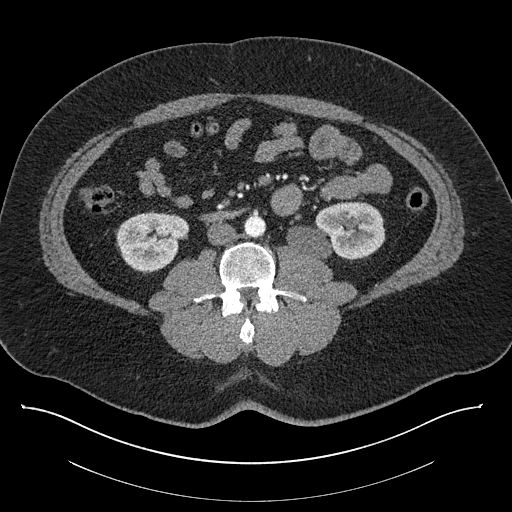
Abdominal CT with intravenous contrast, axial plane, 140 kVp, kernel I30f. Slice 408/787 from the bottom of the scan; thickness 1.00 mm; pixel size 0.910 mm.
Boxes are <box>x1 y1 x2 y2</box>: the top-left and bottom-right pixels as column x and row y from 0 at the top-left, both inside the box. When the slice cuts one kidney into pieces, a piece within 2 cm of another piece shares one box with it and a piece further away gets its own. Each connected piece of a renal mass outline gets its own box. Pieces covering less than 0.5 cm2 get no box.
Two kidney boxes on this slice; by box centre, from the image's left to its right: (1) Right kidney at <box>116 212 189 271</box> (outlined area 3,268 px, about 27.1 cm2). (2) At <box>286 201 385 259</box>: left kidney (outlined area 4,268 px, about 35.4 cm2). This slice carries no renal mass outline.